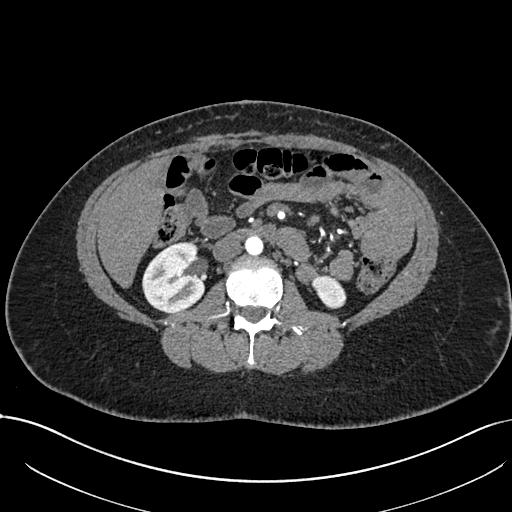
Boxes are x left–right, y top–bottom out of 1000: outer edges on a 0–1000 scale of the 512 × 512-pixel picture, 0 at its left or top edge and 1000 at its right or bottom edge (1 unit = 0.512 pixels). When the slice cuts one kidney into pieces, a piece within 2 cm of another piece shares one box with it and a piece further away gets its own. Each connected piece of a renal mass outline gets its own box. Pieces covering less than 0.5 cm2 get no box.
This is axial slice 390 of 738 (slice 1 is the lowest) of an arterial-phase abdominal CT with contrast; each pixel is 0.789 mm and the slice is 1.00 mm thick. Two kidney boxes on this slice; by box centre, from the image's left to its right: (1) Box x 277–402, y 471–613 out of 1000: right kidney (outlined area 3,499 px, about 21.8 cm2). (2) Left kidney at x 607–678, y 537–605 out of 1000 (outlined area 828 px, about 5.2 cm2). This slice carries no renal mass outline.
Acquired at 120 kVp and reconstructed with the I30f kernel.